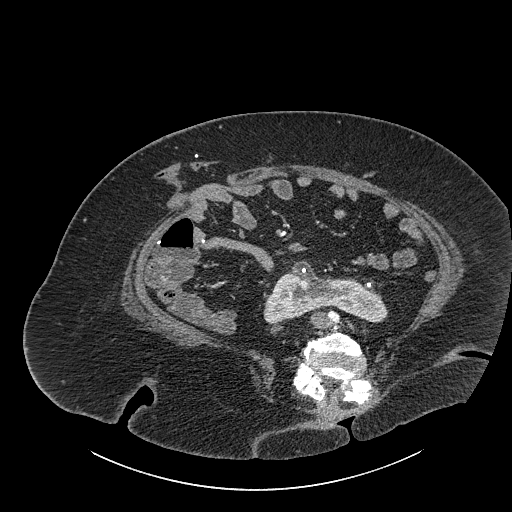
Axial slice 438 of 834 of a contrast-enhanced abdominal CT (slice 1 is the lowest), 140 kVp, kernel I30f; 1.00 mm slice thickness and 0.977 mm pixels.
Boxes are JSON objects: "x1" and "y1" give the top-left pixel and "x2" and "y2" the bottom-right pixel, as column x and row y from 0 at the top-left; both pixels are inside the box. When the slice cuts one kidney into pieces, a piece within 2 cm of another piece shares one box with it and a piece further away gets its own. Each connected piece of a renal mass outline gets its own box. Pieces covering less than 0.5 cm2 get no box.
Box {"x1": 263, "y1": 260, "x2": 387, "y2": 323}: kidney crossing the body midline (outlined area 4,565 px, about 43.5 cm2). This slice carries no renal mass outline.